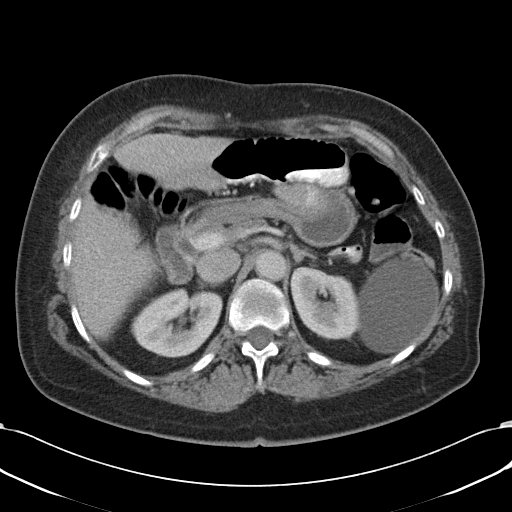
One axial slice (69 of 90, counting up from the lowest) of a contrast-enhanced abdominal CT acquired with 120 kVp, kernel B31f; each pixel is 0.707 mm and the slice is 5.00 mm thick.
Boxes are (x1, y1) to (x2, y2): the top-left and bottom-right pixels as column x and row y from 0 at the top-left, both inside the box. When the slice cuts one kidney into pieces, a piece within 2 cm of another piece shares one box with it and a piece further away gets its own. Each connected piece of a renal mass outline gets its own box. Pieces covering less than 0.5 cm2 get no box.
Two kidney boxes on this slice; by box centre, from the image's left to its right: (1) Right kidney from (135, 290) to (221, 357) (outlined area 4,234 px, about 21.2 cm2). (2) Left kidney, box (291, 266) to (358, 339) (outlined area 3,673 px, about 18.4 cm2). No renal mass is outlined on this slice.